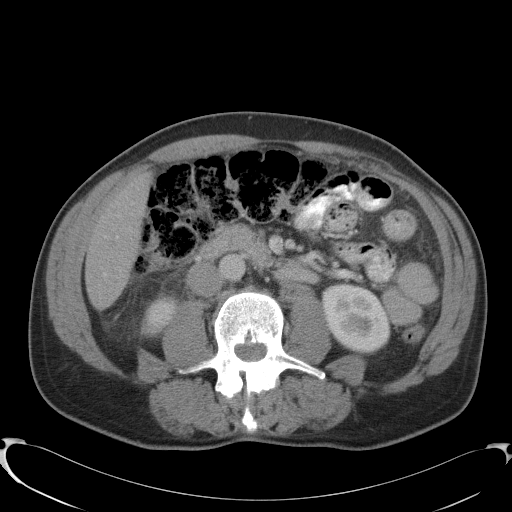
Contrast-enhanced abdominal CT, axial slice 56 of 91 (counted from the lowest slice); tube voltage 120 kVp, convolution kernel B41f; slices 5.00 mm thick, 0.762 mm per pixel.
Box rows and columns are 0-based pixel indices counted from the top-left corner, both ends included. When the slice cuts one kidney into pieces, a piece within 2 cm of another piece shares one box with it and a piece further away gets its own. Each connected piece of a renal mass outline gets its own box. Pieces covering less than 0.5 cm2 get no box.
Boxed on this slice (two kidney boxes), listed by box centre from the image's left to its right: (1) Box rows 297–335, columns 142–177: right kidney (outlined area 1,005 px, about 5.8 cm2). (2) Left kidney, box rows 283–352, columns 321–390 (outlined area 3,725 px, about 21.6 cm2). This slice carries no renal mass outline.